Axial slice 140 of 262 of a contrast-enhanced abdominal CT in the arterial phase (slice 1 is the lowest), 120 kVp, kernel STANDARD; 2.50 mm slice thickness and 0.703 mm pixels.
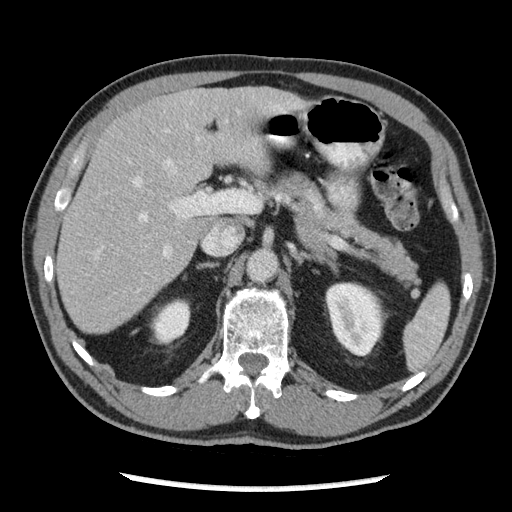
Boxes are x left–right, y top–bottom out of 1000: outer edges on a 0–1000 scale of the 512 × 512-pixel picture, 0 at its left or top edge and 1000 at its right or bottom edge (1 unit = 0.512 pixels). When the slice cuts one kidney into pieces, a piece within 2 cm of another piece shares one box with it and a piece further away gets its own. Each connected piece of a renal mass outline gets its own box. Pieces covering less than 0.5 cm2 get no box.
Two kidney boxes on this slice; by box centre, from the image's left to its right: (1) Right kidney at x 291–373, y 582–676 out of 1000 (outlined area 1,416 px, about 7.0 cm2). (2) Left kidney at x 633–752, y 549–699 out of 1000 (outlined area 3,419 px, about 16.9 cm2). This slice carries no renal mass outline.